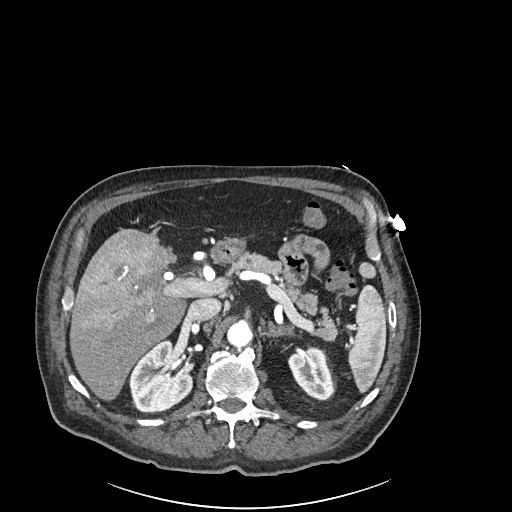
Abdominal CT with intravenous contrast, arterial phase, axial plane, 120 kVp, kernel I30f. Slice 150/261 from the bottom of the scan; thickness 2.00 mm; pixel size 0.939 mm.
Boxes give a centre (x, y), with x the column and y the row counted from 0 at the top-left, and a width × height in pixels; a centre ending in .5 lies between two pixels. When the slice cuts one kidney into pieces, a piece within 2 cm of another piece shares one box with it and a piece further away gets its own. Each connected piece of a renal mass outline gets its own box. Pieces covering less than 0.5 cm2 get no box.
Two boxes on this slice (two kidney boxes), listed by box centre from the image's left to its right. (1) Box centre (160.5, 376.5), 66 × 74 pixels: right kidney (outlined area 3,448 px, about 30.4 cm2). (2) Box centre (310, 373), 47 × 53 pixels: left kidney (outlined area 1,651 px, about 14.6 cm2). No renal mass is outlined on this slice.